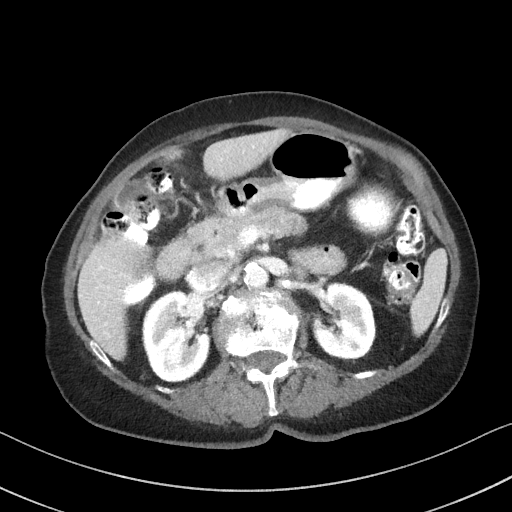
Axial slice 60 of 92 of a contrast-enhanced abdominal CT (slice 1 is the lowest), 100 kVp, kernel I41f; 3.00 mm slice thickness and 0.684 mm pixels.
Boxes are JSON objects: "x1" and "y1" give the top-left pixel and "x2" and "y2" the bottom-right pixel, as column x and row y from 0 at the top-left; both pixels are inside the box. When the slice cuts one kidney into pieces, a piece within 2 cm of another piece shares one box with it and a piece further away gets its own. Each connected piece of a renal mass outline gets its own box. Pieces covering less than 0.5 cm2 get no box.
Boxed on this slice (two kidney boxes), listed by box centre from the image's left to its right: (1) Right kidney at {"x1": 141, "y1": 291, "x2": 211, "y2": 382} (outlined area 4,778 px, about 22.3 cm2). (2) Box {"x1": 311, "y1": 282, "x2": 376, "y2": 361}: left kidney (outlined area 3,895 px, about 18.2 cm2). This slice carries no renal mass outline.